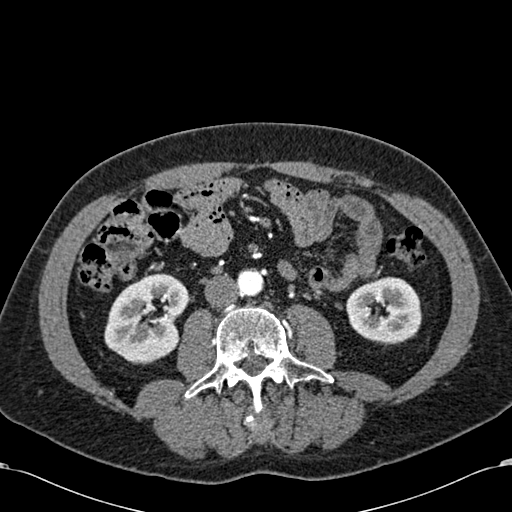
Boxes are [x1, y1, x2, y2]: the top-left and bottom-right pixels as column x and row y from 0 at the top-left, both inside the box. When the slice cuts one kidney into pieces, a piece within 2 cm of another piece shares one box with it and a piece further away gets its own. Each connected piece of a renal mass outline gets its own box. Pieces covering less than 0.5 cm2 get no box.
This is axial slice 269 of 581 (slice 1 is the lowest) of an arterial-phase abdominal CT with contrast; each pixel is 0.713 mm and the slice is 1.00 mm thick. Two kidney boxes on this slice; by box centre, from the image's left to its right: (1) Right kidney, box [104, 273, 189, 364] (outlined area 5,540 px, about 28.2 cm2). (2) Left kidney, box [346, 276, 421, 345] (outlined area 3,979 px, about 20.2 cm2). No renal mass is outlined on this slice.
Scan settings: 120 kVp, B30f reconstruction kernel.